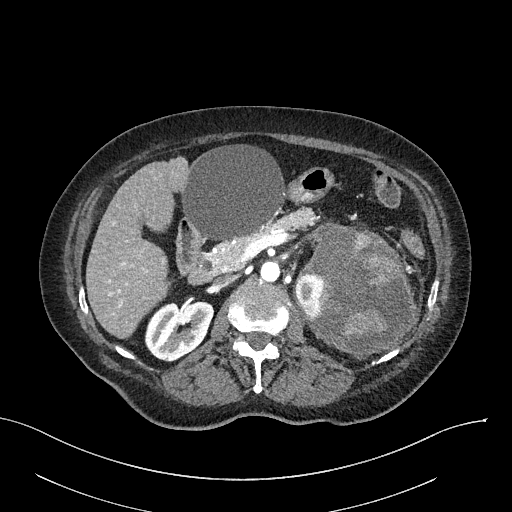
Axial slice 156 of 316 of a contrast-enhanced abdominal CT in the arterial phase (slice 1 is the lowest), 100 kVp, kernel I40f; 2.00 mm slice thickness and 0.840 mm pixels.
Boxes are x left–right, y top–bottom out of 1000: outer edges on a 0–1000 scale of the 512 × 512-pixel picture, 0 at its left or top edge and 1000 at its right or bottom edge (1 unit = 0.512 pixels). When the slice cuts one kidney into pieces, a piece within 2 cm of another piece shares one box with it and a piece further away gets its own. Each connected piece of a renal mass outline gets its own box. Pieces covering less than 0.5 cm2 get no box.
Boxed on this slice (two kidney boxes and one renal mass box), listed by box centre from the image's left to its right: (1) Box x 281–418, y 586–705 out of 1000: right kidney (outlined area 3,083 px, about 21.7 cm2). (2) Left kidney, box x 574–629, y 535–625 out of 1000 (outlined area 875 px, about 6.2 cm2). (3) Box x 584–816, y 438–703 out of 1000: left renal mass (outlined area 11,111 px, about 78.4 cm2).